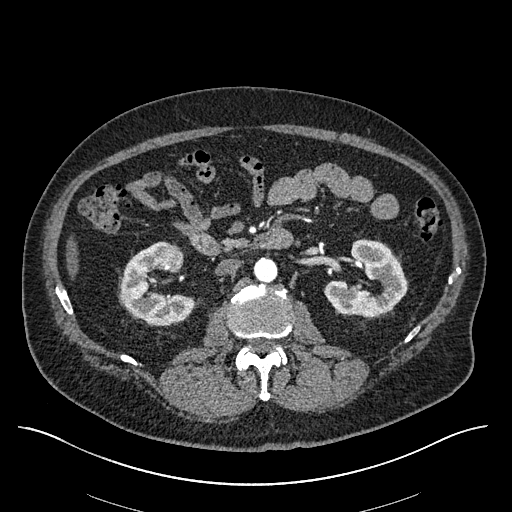
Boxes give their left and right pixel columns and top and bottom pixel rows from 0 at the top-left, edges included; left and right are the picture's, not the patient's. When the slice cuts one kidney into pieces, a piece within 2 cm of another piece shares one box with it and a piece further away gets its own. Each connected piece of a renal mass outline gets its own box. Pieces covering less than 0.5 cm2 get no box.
Arterial-phase contrast-enhanced abdominal CT, axial slice 321 of 670 (counted from the lowest slice); 1.00 mm thick, 0.861 mm per pixel. Two kidney boxes and one renal mass box on this slice; by box centre, from the image's left to its right: (1) Right kidney, the box with left 120, top 241, right 194, bottom 325 (outlined area 3,613 px, about 26.8 cm2). (2) Right renal mass, the box with left 156, top 244, right 184, bottom 271 (outlined area 594 px, about 4.4 cm2). (3) Left kidney, the box with left 323, top 239, right 406, bottom 316 (outlined area 4,125 px, about 30.6 cm2).
Tube voltage 120 kVp; convolution kernel I30f.